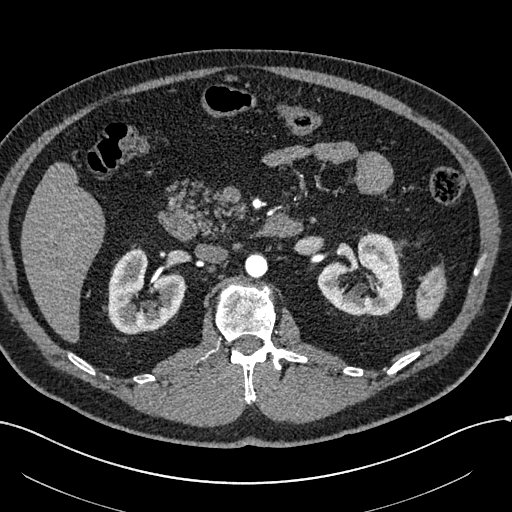
Abdominal CT with intravenous contrast, arterial phase, axial plane, 120 kVp, kernel I30f. Slice 359/602 from the bottom of the scan; thickness 1.00 mm; pixel size 0.799 mm.
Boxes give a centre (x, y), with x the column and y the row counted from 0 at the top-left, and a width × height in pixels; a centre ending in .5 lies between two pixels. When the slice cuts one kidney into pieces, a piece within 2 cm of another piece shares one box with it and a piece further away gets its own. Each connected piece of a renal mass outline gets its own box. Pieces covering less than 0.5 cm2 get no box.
Boxed on this slice (two kidney boxes), listed by box centre from the image's left to its right: (1) Right kidney in a box with centre (146.5, 291), 78 × 87 pixels (outlined area 4,579 px, about 29.2 cm2). (2) Left kidney, box centre (360, 275), 87 × 83 pixels (outlined area 4,749 px, about 30.3 cm2). No renal mass outline on this slice.